One axial slice (197 of 349, counting up from the lowest) of an arterial-phase abdominal CT acquired with 120 kVp, kernel STANDARD; each pixel is 0.742 mm and the slice is 1.25 mm thick.
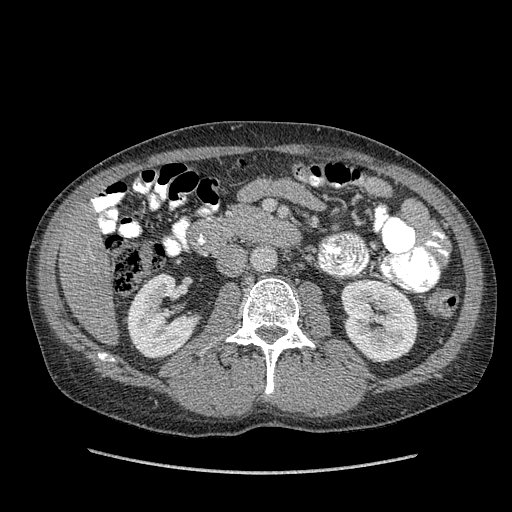
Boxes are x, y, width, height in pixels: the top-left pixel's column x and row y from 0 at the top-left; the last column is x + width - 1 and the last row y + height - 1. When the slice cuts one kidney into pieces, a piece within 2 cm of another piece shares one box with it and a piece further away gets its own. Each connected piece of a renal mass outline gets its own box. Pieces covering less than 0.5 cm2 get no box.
Two kidney boxes on this slice; by box centre, from the image's left to its right: (1) Box x 126, y 273, width 76, height 86: right kidney (outlined area 4,296 px, about 23.7 cm2). (2) Box x 341, y 278, width 78, height 85: left kidney (outlined area 5,118 px, about 28.2 cm2). This slice carries no renal mass outline.